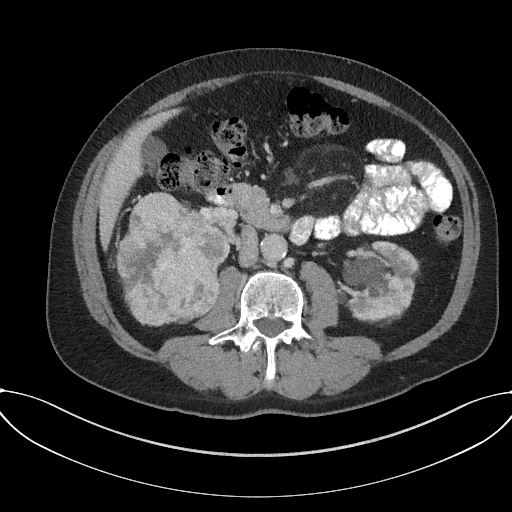
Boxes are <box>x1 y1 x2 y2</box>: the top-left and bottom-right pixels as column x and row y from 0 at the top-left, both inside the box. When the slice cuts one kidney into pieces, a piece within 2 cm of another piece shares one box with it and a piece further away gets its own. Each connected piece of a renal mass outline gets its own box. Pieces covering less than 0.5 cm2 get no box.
Slice 88/227 of a contrast-enhanced abdominal CT in the arterial phase, counting up from the lowest; pixel size 0.816 mm, slice thickness 3.00 mm. Two kidney boxes and one renal mass box on this slice; by box centre, from the image's left to its right: (1) At <box>116 191 226 326</box>: right renal mass (outlined area 11,103 px, about 74.0 cm2). (2) Right kidney: <box>218 237 230 266</box> (outlined area 172 px, about 1.1 cm2). (3) At <box>337 241 418 320</box>: left kidney (outlined area 4,650 px, about 31.0 cm2).
Scan settings: 120 kVp, I31f reconstruction kernel.